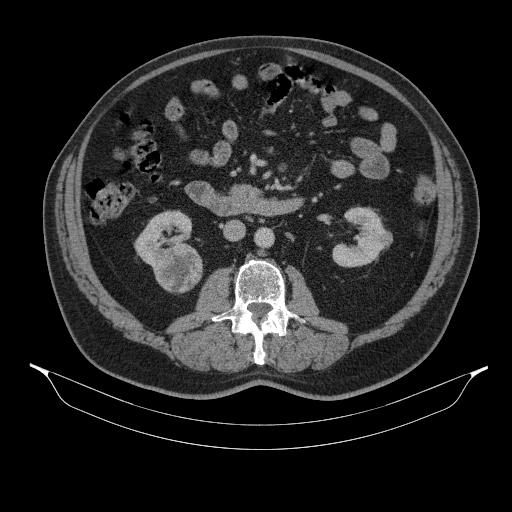
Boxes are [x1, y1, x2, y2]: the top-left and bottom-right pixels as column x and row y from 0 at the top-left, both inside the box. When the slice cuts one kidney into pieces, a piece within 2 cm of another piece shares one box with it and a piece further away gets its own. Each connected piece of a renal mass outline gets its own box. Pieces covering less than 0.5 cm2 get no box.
This is axial slice 188 of 314 (slice 1 is the lowest) of an abdominal CT with contrast; each pixel is 0.934 mm and the slice is 2.50 mm thick. Boxed on this slice (two kidney boxes and one renal mass box), listed by box centre from the image's left to its right: (1) Right kidney at [134, 210, 192, 268] (outlined area 1,951 px, about 17.0 cm2). (2) Box [153, 243, 202, 293]: right renal mass (outlined area 1,935 px, about 16.9 cm2). (3) Left kidney, box [332, 206, 392, 267] (outlined area 2,276 px, about 19.8 cm2).
Acquired at 130 kVp and reconstructed with the B31s kernel.